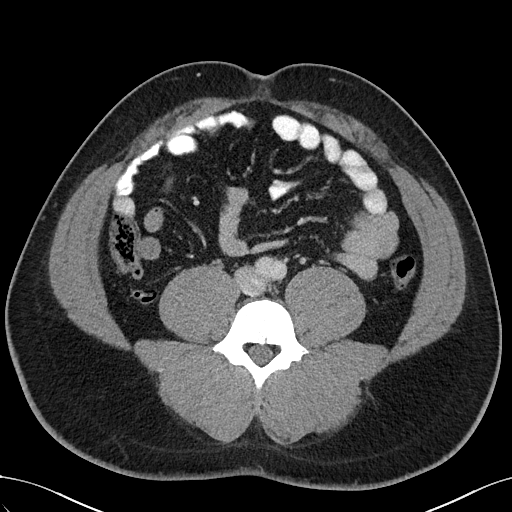
Arterial-phase contrast-enhanced abdominal CT, axial slice 48 of 102 (counted from the lowest slice); tube voltage 100 kVp, convolution kernel I40f; slices 5.00 mm thick, 0.781 mm per pixel.
Outside the outlined region: no kidney outline and no renal mass outline on this slice. The scan's outlines cover only kidneys and renal masses; no other organ is outlined.